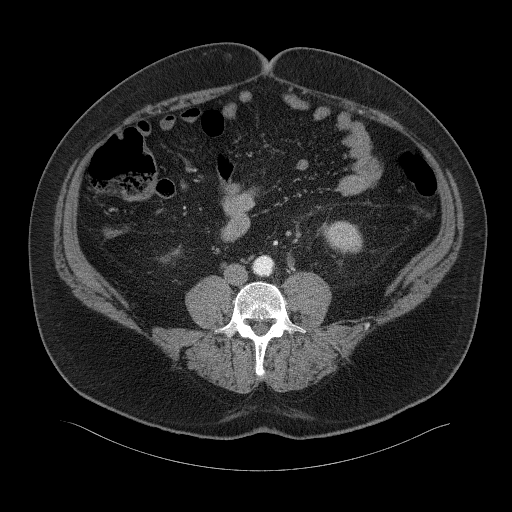
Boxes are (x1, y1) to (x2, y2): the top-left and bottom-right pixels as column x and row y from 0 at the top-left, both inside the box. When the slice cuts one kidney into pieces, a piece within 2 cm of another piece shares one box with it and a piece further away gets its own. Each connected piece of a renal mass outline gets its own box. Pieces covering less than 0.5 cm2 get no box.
This is axial slice 3 of 94 (slice 1 is the lowest) of an abdominal CT with contrast; each pixel is 0.977 mm and the slice is 3.00 mm thick. Left kidney from (327, 221) to (362, 252) (outlined area 926 px, about 8.8 cm2). No renal mass outline on this slice.
Scan settings: 120 kVp, B41f reconstruction kernel.